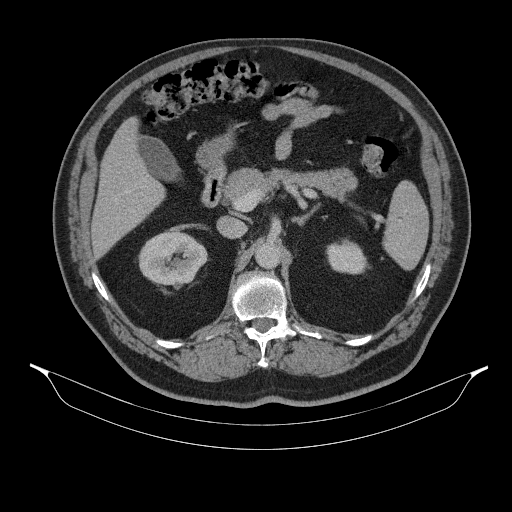
One axial slice (222 of 314, counting up from the lowest) of a contrast-enhanced abdominal CT acquired with 130 kVp, kernel B31s; each pixel is 0.934 mm and the slice is 2.50 mm thick.
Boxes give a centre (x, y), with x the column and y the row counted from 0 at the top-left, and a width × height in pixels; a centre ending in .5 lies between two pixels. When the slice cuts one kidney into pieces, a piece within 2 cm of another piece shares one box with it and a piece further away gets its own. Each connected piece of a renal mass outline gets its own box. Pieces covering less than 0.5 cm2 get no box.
Two boxes on this slice (two kidney boxes), listed by box centre from the image's left to its right. (1) Right kidney, box centre (172.5, 260.5), 70 × 58 pixels (outlined area 2,954 px, about 25.7 cm2). (2) Left kidney in a box with centre (348, 256), 45 × 37 pixels (outlined area 1,149 px, about 10.0 cm2). No renal mass is outlined on this slice.